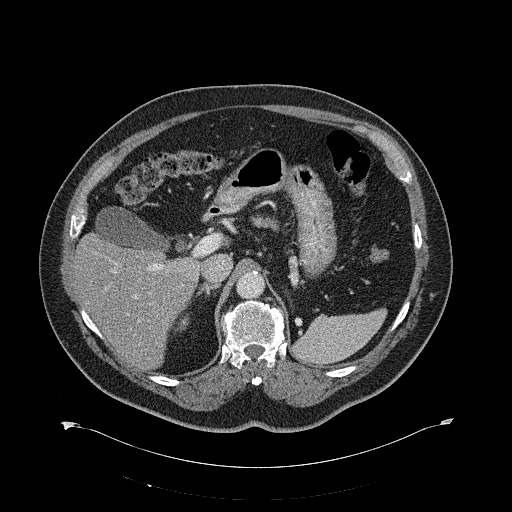
Axial slice 431 of 734 of a contrast-enhanced abdominal CT (slice 1 is the lowest), 120 kVp, kernel B31f; 2.00 mm slice thickness and 0.971 mm pixels.
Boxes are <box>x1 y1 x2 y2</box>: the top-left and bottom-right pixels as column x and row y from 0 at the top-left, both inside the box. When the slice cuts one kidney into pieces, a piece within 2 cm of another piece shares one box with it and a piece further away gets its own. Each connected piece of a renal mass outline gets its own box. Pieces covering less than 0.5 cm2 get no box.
Right kidney: <box>175 315 189 331</box> (outlined area 143 px, about 1.3 cm2). No renal mass outline on this slice.